Arterial-phase contrast-enhanced abdominal CT, axial slice 536 of 719 (counted from the lowest slice); tube voltage 120 kVp, convolution kernel B20f; slices 1.00 mm thick, 0.766 mm per pixel.
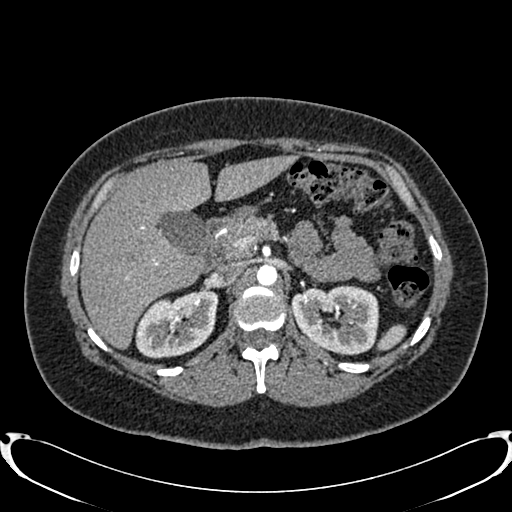
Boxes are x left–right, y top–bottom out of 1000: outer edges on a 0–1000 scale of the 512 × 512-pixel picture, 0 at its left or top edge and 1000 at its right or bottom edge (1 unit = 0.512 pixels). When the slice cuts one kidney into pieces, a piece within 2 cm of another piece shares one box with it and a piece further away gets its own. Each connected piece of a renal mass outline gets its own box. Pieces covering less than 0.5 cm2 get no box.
Boxed on this slice (two kidney boxes), listed by box centre from the image's left to its right: (1) Right kidney, box x 264–428, y 563–701 out of 1000 (outlined area 4,298 px, about 25.2 cm2). (2) Left kidney at x 566–742, y 557–695 out of 1000 (outlined area 4,810 px, about 28.2 cm2). This slice carries no renal mass outline.